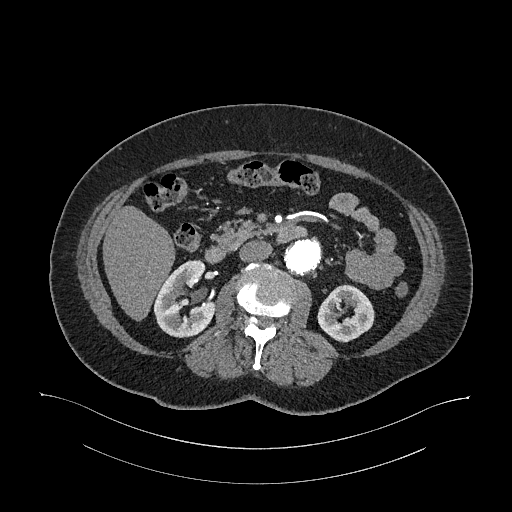
Axial slice 631 of 987 of a contrast-enhanced abdominal CT in the arterial phase (slice 1 is the lowest), 120 kVp, kernel I26f; 1.00 mm slice thickness and 0.977 mm pixels.
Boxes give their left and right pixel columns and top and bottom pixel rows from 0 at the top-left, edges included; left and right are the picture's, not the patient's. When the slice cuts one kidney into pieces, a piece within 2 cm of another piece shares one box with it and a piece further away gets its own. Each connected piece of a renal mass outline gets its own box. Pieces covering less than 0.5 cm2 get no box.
Two kidney boxes on this slice; by box centre, from the image's left to its right: (1) Right kidney in the box with left 153, top 259, right 216, bottom 337 (outlined area 3,381 px, about 32.2 cm2). (2) Left kidney in the box with left 317, top 284, right 374, bottom 342 (outlined area 2,371 px, about 22.6 cm2). This slice carries no renal mass outline.